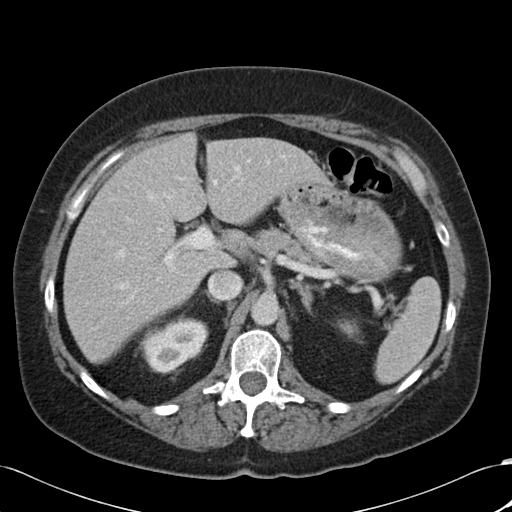
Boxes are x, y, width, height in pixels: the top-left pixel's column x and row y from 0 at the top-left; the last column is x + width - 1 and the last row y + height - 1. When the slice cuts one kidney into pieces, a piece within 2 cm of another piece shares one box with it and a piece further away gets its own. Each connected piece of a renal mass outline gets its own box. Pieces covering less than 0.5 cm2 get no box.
This is axial slice 70 of 88 (slice 1 is the lowest) of an arterial-phase abdominal CT with contrast; each pixel is 0.691 mm and the slice is 5.00 mm thick. Right kidney, box x 142, y 316, width 67, height 59 (outlined area 2,651 px, about 12.7 cm2). This slice carries no renal mass outline.
Acquired at 120 kVp and reconstructed with the B30f kernel.